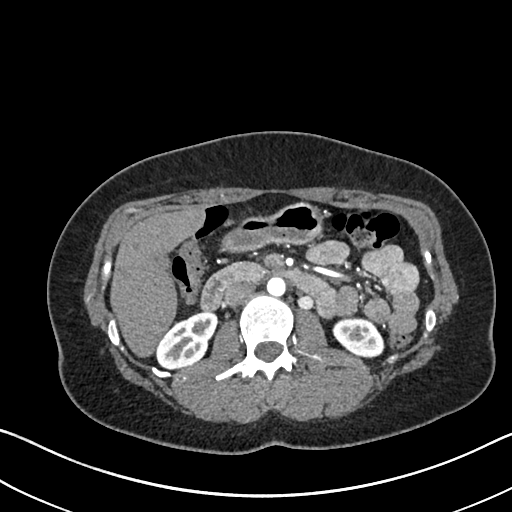
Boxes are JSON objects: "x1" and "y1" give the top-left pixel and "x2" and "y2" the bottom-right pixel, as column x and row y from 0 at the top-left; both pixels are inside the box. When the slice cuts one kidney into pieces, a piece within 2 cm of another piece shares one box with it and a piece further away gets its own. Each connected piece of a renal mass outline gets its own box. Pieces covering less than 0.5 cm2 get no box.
Slice 391/612 of a contrast-enhanced abdominal CT in the arterial phase, counting up from the lowest; pixel size 0.703 mm, slice thickness 1.00 mm. Boxed on this slice (two kidney boxes), listed by box centre from the image's left to its right: (1) Right kidney at {"x1": 157, "y1": 311, "x2": 217, "y2": 369} (outlined area 2,319 px, about 11.5 cm2). (2) Left kidney at {"x1": 333, "y1": 317, "x2": 383, "y2": 357} (outlined area 1,551 px, about 7.7 cm2). This slice carries no renal mass outline.
Tube voltage 120 kVp; convolution kernel I30f.